Axial slice 25 of 32 of a contrast-enhanced abdominal CT in the arterial phase (slice 1 is the lowest), 100 kVp, kernel I40f; 5.00 mm slice thickness and 0.779 mm pixels.
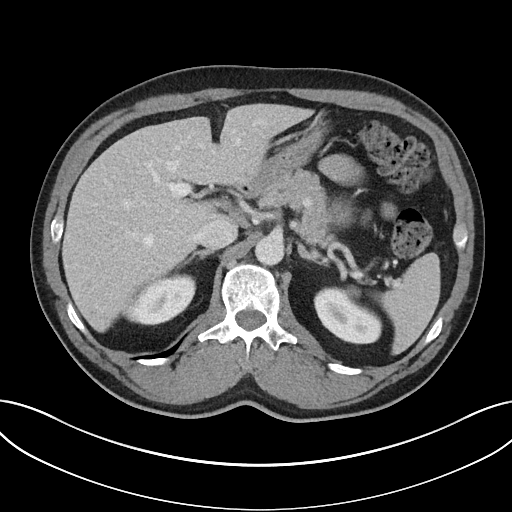
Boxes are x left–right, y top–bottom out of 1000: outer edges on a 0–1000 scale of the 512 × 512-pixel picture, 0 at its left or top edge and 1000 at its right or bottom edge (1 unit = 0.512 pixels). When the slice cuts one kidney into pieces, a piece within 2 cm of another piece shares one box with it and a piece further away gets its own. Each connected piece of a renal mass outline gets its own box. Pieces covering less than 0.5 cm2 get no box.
Boxed on this slice (two kidney boxes), listed by box centre from the image's left to its right: (1) Right kidney, box x 238–385, y 533–637 out of 1000 (outlined area 2,543 px, about 15.4 cm2). (2) Left kidney at x 611–748, y 559–674 out of 1000 (outlined area 2,688 px, about 16.3 cm2). No renal mass is outlined on this slice.